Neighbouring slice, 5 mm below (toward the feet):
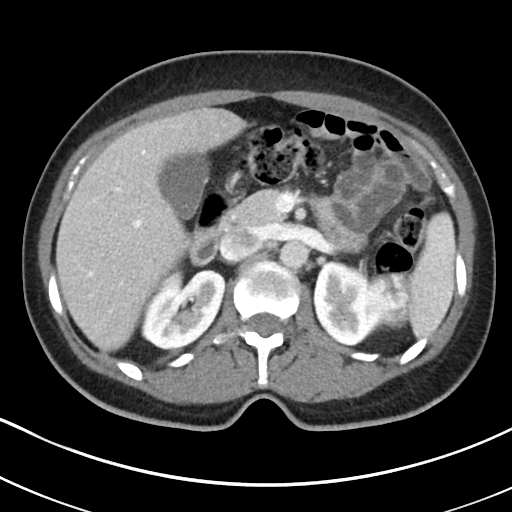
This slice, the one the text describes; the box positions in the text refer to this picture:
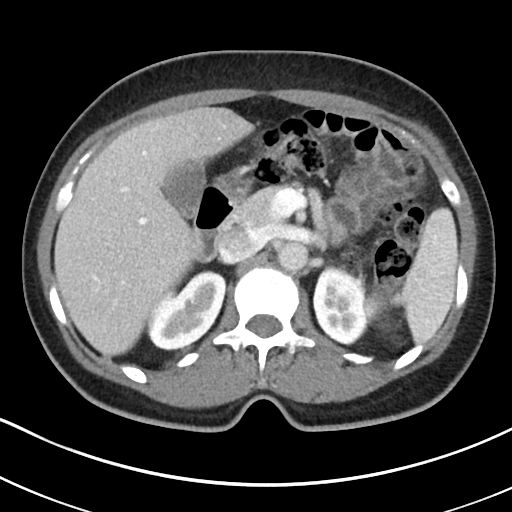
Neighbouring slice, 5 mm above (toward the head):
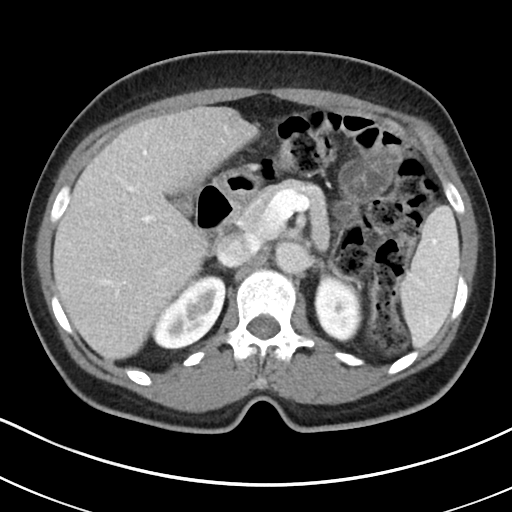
Contrast-enhanced abdominal CT, axial slice 128 of 178 (counted from the lowest slice); tube voltage 100 kVp, convolution kernel I30f; slices 5.00 mm thick, 0.650 mm per pixel.
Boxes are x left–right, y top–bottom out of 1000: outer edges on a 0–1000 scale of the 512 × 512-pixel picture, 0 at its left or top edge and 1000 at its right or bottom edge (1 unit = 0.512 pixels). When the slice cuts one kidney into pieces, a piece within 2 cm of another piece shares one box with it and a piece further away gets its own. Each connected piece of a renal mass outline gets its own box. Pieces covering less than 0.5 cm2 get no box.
Three boxes on this slice (two kidney boxes and one renal mass box), listed by box centre from the image's left to its right. (1) Right kidney at x 287–443, y 527–686 out of 1000 (outlined area 4,225 px, about 17.9 cm2). (2) Box x 609–742, y 520–676 out of 1000: left kidney (outlined area 3,639 px, about 15.4 cm2). (3) Box x 727–789, y 539–609 out of 1000: left renal mass (outlined area 722 px, about 3.1 cm2). This slice is near the end of the left renal mass toward the head, so the slices 5 mm below and 5 mm above it are shown as well; the boxes refer to this slice only.